Arterial-phase contrast-enhanced abdominal CT, axial slice 80 of 195 (counted from the lowest slice); tube voltage 100 kVp, convolution kernel I31f; slices 1.50 mm thick, 0.707 mm per pixel.
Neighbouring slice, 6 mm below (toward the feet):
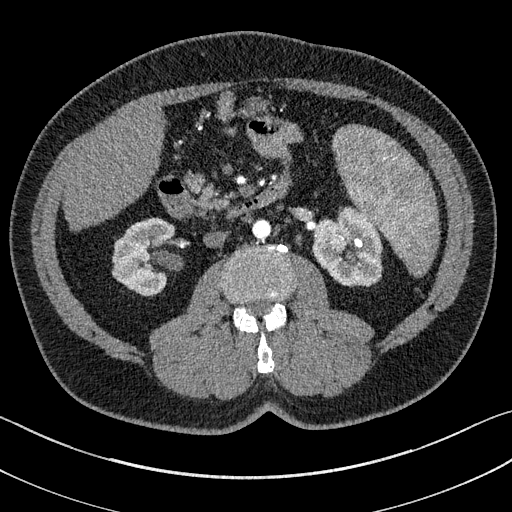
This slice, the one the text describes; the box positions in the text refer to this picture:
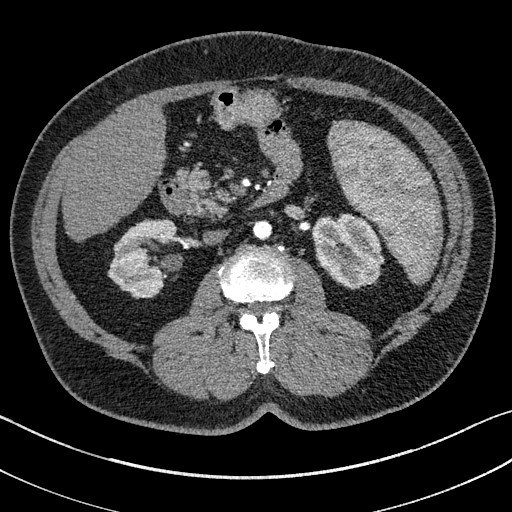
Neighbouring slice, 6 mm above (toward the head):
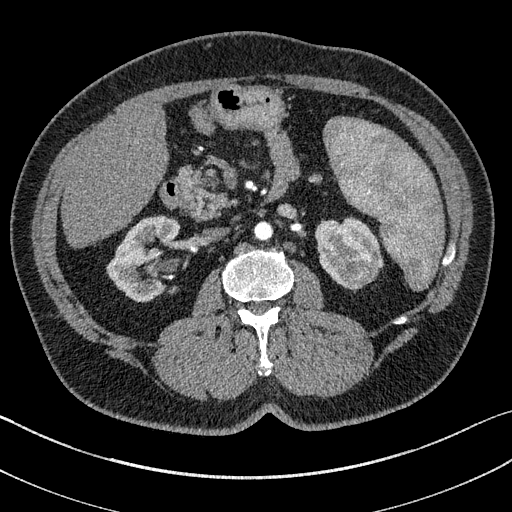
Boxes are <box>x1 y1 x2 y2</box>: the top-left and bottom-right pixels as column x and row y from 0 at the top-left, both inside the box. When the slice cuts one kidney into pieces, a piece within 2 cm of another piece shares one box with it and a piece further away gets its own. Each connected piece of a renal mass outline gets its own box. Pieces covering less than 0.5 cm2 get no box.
Two kidney boxes and one renal mass box on this slice; by box centre, from the image's left to its right: (1) At <box>108 219 176 297</box>: right kidney (outlined area 3,574 px, about 17.9 cm2). (2) Left kidney at <box>312 214 383 288</box> (outlined area 3,613 px, about 18.1 cm2). (3) At <box>359 258 381 281</box>: left renal mass (outlined area 446 px, about 2.2 cm2). This slice is near the end of the left renal mass toward the feet, so the slices 6 mm below and 6 mm above it are shown as well; the boxes refer to this slice only.